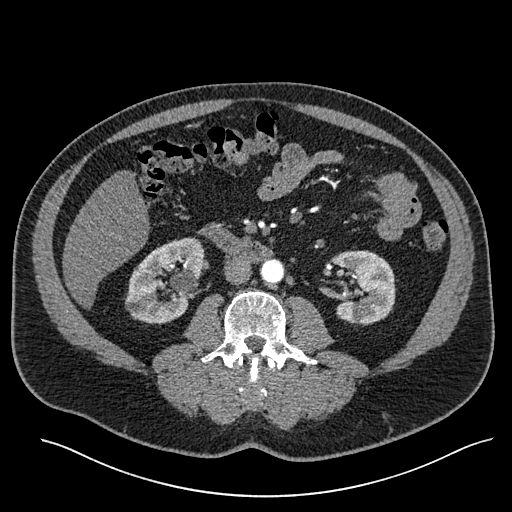
Arterial-phase contrast-enhanced abdominal CT, axial slice 277 of 527 (counted from the lowest slice); tube voltage 120 kVp, convolution kernel I30f; slices 1.00 mm thick, 0.859 mm per pixel.
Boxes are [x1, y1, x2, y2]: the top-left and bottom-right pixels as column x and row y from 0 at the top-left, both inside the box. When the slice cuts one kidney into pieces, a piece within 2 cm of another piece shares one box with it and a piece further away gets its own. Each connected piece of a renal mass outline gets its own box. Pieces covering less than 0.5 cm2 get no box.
Two boxes on this slice (two kidney boxes), listed by box centre from the image's left to its right. (1) Right kidney, box [125, 237, 202, 323] (outlined area 4,706 px, about 34.8 cm2). (2) Left kidney, box [334, 250, 396, 325] (outlined area 3,766 px, about 27.8 cm2). No renal mass is outlined on this slice.